Arterial-phase contrast-enhanced abdominal CT, axial slice 290 of 389 (counted from the lowest slice); tube voltage 120 kVp, convolution kernel STANDARD; slices 1.25 mm thick, 0.869 mm per pixel.
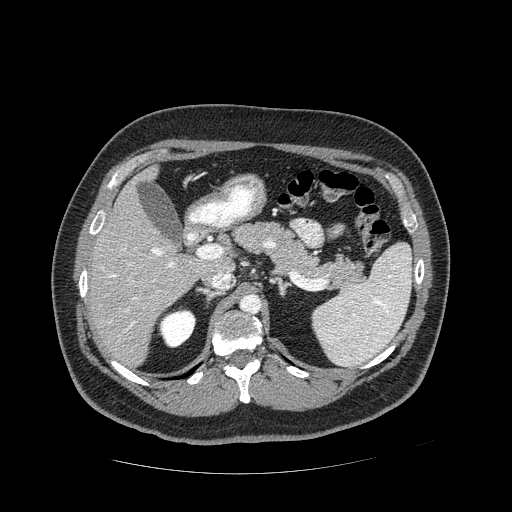
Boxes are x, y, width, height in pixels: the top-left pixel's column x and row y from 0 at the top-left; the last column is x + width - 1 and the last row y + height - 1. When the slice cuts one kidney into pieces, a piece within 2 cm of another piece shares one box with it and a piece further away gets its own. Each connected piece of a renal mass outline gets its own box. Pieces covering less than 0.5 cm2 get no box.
Right kidney at x 158, y 307, width 39, height 42 (outlined area 1,149 px, about 8.7 cm2). No renal mass outline on this slice.